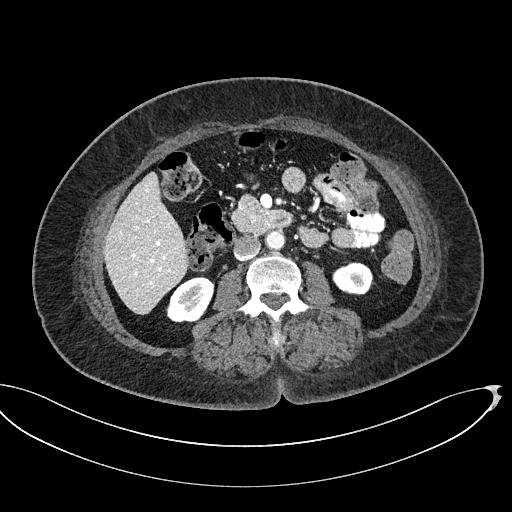
Axial slice 271 of 439 of a contrast-enhanced abdominal CT (slice 1 is the lowest), 100 kVp, kernel I40f; 2.00 mm slice thickness and 0.850 mm pixels.
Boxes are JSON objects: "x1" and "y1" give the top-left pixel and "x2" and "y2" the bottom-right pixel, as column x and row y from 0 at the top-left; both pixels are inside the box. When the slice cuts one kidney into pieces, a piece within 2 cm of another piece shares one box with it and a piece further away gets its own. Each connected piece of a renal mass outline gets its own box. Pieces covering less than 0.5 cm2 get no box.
Two boxes on this slice (two kidney boxes), listed by box centre from the image's left to its right. (1) Right kidney at {"x1": 166, "y1": 276, "x2": 214, "y2": 322} (outlined area 1,649 px, about 11.9 cm2). (2) Left kidney, box {"x1": 332, "y1": 262, "x2": 374, "y2": 295} (outlined area 1,071 px, about 7.7 cm2). No renal mass is outlined on this slice.